Axial slice 58 of 227 of a contrast-enhanced abdominal CT in the arterial phase (slice 1 is the lowest), 120 kVp, kernel I31f; 3.00 mm slice thickness and 0.816 mm pixels.
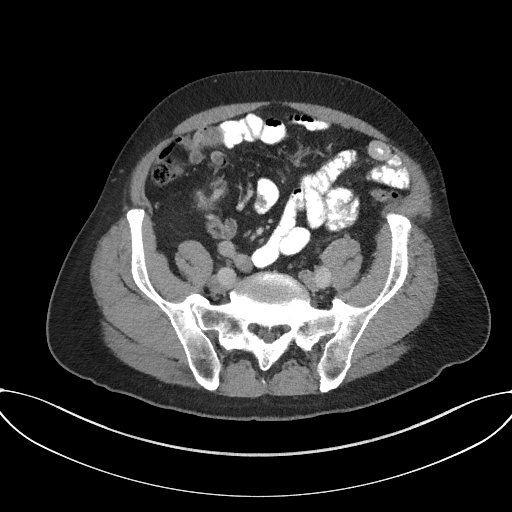
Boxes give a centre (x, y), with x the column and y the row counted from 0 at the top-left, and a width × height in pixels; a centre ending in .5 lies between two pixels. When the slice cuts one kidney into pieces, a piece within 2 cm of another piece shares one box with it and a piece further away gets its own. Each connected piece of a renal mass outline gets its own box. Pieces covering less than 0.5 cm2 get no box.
Box centre (209, 199), 29 × 23 pixels: right kidney (outlined area 386 px, about 2.6 cm2). No renal mass is outlined on this slice.